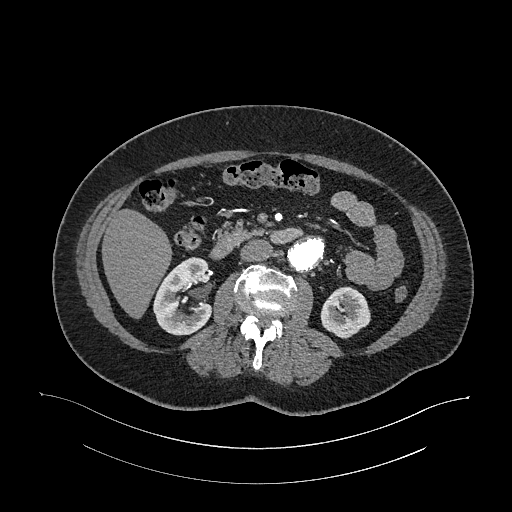
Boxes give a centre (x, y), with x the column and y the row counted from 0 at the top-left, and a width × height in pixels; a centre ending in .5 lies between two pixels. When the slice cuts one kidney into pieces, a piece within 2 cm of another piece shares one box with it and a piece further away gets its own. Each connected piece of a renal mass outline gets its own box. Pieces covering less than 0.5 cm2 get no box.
This is axial slice 619 of 987 (slice 1 is the lowest) of an arterial-phase abdominal CT with contrast; each pixel is 0.977 mm and the slice is 1.00 mm thick. Two boxes on this slice (two kidney boxes), listed by box centre from the image's left to its right. (1) Right kidney, box centre (183, 296), 61 × 79 pixels (outlined area 3,389 px, about 32.3 cm2). (2) Left kidney in a box with centre (345, 312), 51 × 53 pixels (outlined area 1,959 px, about 18.7 cm2). No renal mass is outlined on this slice.
Acquired at 120 kVp and reconstructed with the I26f kernel.